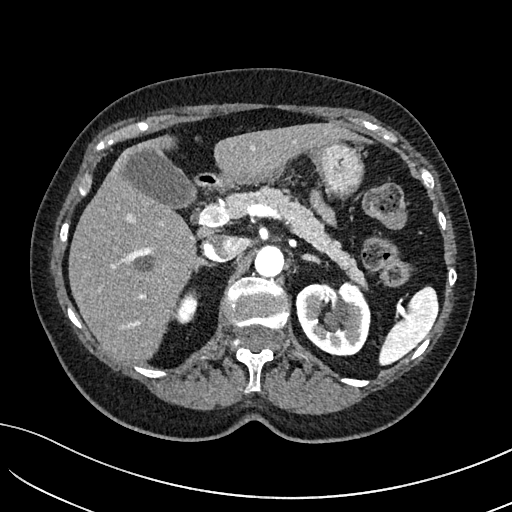
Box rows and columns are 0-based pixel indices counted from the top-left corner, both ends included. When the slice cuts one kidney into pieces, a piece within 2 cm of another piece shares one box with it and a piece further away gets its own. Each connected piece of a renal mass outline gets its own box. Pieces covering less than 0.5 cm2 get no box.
This is axial slice 102 of 234 (slice 1 is the lowest) of an arterial-phase abdominal CT with contrast; each pixel is 0.699 mm and the slice is 2.00 mm thick. Two boxes on this slice (two kidney boxes), listed by box centre from the image's left to its right. (1) Box rows 293–324, columns 173–197: right kidney (outlined area 559 px, about 2.7 cm2). (2) Left kidney, box rows 280–356, columns 295–370 (outlined area 4,407 px, about 21.5 cm2). This slice carries no renal mass outline.
Tube voltage 100 kVp; convolution kernel I40f.